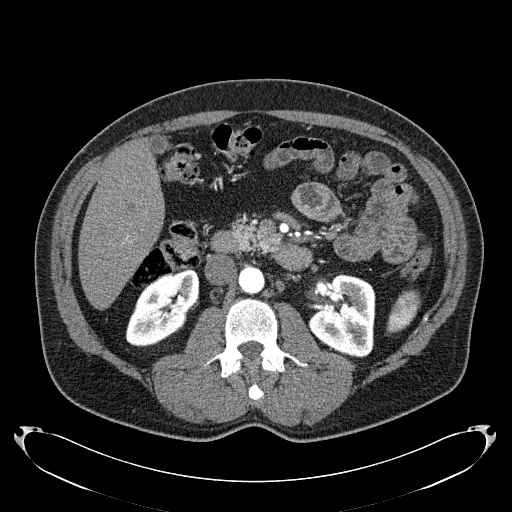
Axial slice 110 of 279 of a contrast-enhanced abdominal CT in the arterial phase (slice 1 is the lowest), 120 kVp, kernel B31f; 2.00 mm slice thickness and 0.824 mm pixels.
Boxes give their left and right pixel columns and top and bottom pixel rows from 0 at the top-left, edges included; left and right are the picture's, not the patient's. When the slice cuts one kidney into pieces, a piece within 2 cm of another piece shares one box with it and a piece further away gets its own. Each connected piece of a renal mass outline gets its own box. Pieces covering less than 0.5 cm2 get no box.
Two boxes on this slice (two kidney boxes), listed by box centre from the image's left to its right. (1) Box with left 125, top 269, right 199, bottom 346: right kidney (outlined area 3,814 px, about 25.9 cm2). (2) Left kidney, the box with left 308, top 274, right 375, bottom 357 (outlined area 4,248 px, about 28.9 cm2). This slice carries no renal mass outline.